One axial slice (173 of 1059, counting up from the lowest) of an arterial-phase abdominal CT acquired with 100 kVp, kernel I30f; each pixel is 0.811 mm and the slice is 1.00 mm thick.
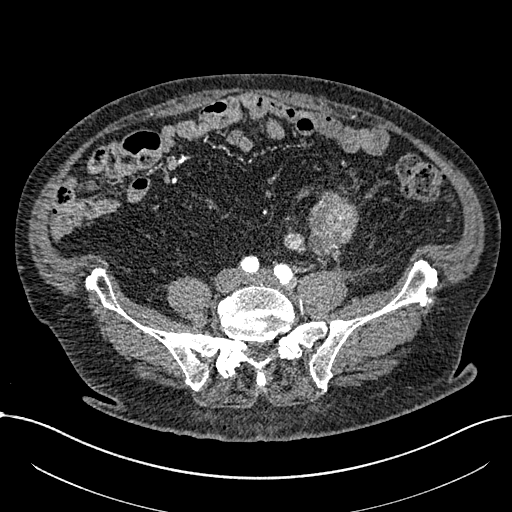
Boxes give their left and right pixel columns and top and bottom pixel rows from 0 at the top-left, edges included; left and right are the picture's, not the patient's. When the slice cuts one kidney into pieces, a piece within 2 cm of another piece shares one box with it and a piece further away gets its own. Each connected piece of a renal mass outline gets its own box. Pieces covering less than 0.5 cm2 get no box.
Two boxes on this slice (two renal mass boxes), listed by box centre from the image's left to its right. (1) Renal mass, the box with left 283, top 230, right 304, bottom 252 (outlined area 352 px, about 2.3 cm2); this slice has no kidney outline, though on another slice the same outlined renal mass lies within 1 cm of the kidney. (2) Renal mass, the box with left 307, top 190, right 358, bottom 267 (outlined area 2,636 px, about 17.3 cm2); no kidney outline appears on this slice, but the same outlined renal mass comes within 1 cm of the kidney on another slice.